Arterial-phase contrast-enhanced abdominal CT, axial slice 407 of 527 (counted from the lowest slice); tube voltage 120 kVp, convolution kernel I30f; slices 1.00 mm thick, 0.859 mm per pixel.
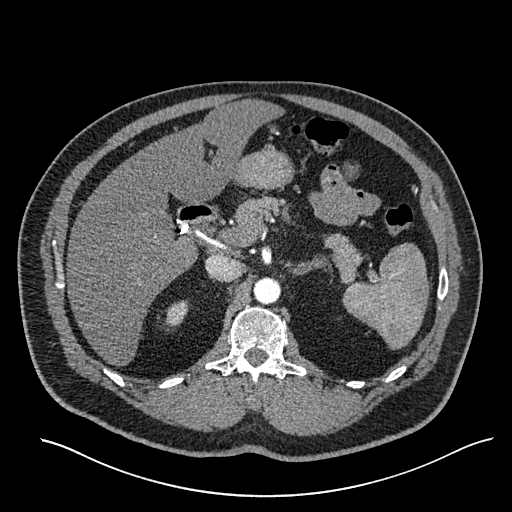
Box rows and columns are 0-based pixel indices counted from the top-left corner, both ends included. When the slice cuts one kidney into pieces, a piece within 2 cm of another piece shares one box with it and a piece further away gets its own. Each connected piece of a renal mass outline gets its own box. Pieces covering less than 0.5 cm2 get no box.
Right kidney, box rows 300–326, columns 165–188 (outlined area 465 px, about 3.4 cm2). No renal mass is outlined on this slice.